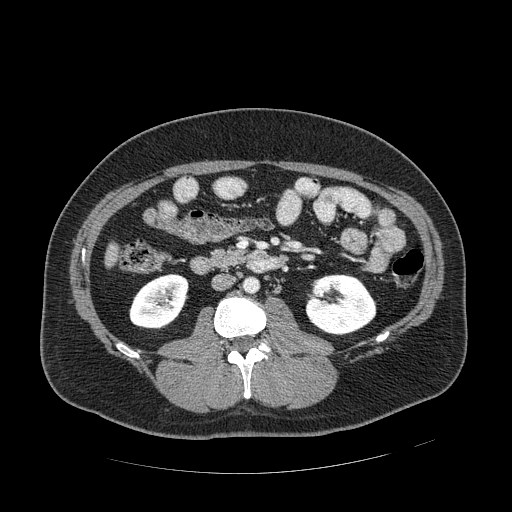
Abdominal CT with intravenous contrast, arterial phase, axial plane, 120 kVp, kernel STANDARD. Slice 240/389 from the bottom of the scan; thickness 1.25 mm; pixel size 0.869 mm.
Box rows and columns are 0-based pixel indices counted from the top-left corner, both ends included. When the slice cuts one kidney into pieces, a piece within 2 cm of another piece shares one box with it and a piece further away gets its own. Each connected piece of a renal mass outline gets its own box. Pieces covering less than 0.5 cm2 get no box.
Two kidney boxes on this slice; by box centre, from the image's left to its right: (1) Right kidney, box rows 273–329, columns 129–188 (outlined area 2,485 px, about 18.8 cm2). (2) Box rows 274–334, columns 305–376: left kidney (outlined area 3,386 px, about 25.6 cm2). No renal mass is outlined on this slice.